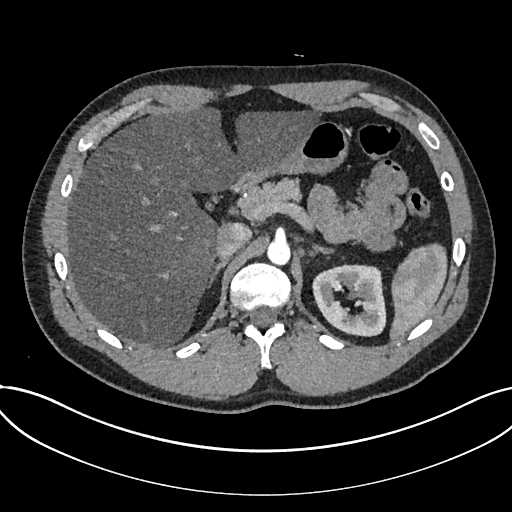
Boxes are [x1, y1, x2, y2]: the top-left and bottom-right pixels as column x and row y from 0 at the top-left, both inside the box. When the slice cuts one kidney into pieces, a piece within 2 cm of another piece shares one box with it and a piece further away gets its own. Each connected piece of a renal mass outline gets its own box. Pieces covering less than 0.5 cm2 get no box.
Slice 521/735 of a contrast-enhanced abdominal CT in the arterial phase, counting up from the lowest; pixel size 0.789 mm, slice thickness 1.00 mm. Kidney at [312, 264, 386, 336] (outlined area 4,080 px, about 25.4 cm2). No renal mass outline on this slice.
Scan settings: 120 kVp, I30f reconstruction kernel.